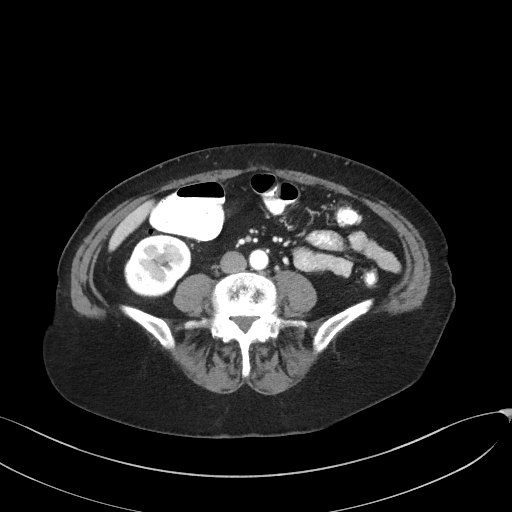
One axial slice (70 of 129, counting up from the lowest) of an arterial-phase abdominal CT acquired with 100 kVp, kernel I41f; each pixel is 0.779 mm and the slice is 3.00 mm thick.
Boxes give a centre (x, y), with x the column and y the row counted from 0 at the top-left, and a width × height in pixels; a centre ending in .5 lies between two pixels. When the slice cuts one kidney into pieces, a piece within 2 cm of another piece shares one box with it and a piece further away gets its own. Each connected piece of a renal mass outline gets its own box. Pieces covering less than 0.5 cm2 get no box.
Right kidney, box centre (157.5, 265.5), 68 × 64 pixels (outlined area 3,296 px, about 20.0 cm2). No renal mass outline on this slice.